Arterial-phase contrast-enhanced abdominal CT, axial slice 179 of 285 (counted from the lowest slice); tube voltage 120 kVp, convolution kernel B31f; slices 2.00 mm thick, 0.762 mm per pixel.
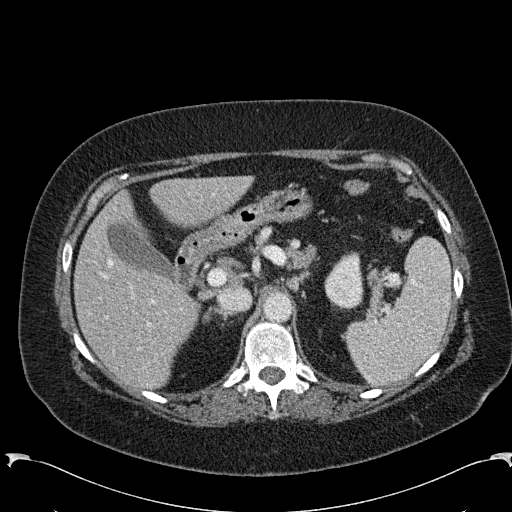
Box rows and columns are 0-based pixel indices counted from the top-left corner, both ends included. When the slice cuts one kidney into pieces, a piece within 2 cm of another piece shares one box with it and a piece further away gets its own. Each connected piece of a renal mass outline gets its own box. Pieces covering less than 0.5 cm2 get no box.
Left kidney, box rows 251–310, columns 324–363 (outlined area 1,765 px, about 10.2 cm2). No renal mass is outlined on this slice.